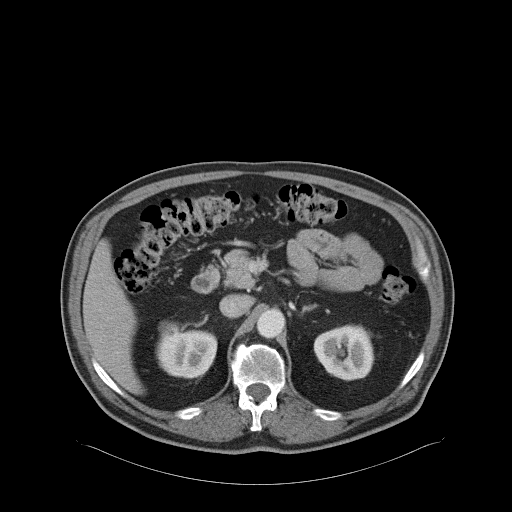
Axial slice 50 of 68 of a contrast-enhanced abdominal CT in the arterial phase (slice 1 is the lowest), 120 kVp, kernel B31f; 5.00 mm slice thickness and 0.961 mm pixels.
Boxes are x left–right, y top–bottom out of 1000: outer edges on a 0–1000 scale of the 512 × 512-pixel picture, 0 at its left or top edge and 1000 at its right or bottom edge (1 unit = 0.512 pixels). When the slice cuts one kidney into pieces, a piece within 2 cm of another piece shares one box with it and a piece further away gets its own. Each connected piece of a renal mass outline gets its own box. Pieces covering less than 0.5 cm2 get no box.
Two kidney boxes on this slice; by box centre, from the image's left to its right: (1) Right kidney, box x 305–426, y 627–740 out of 1000 (outlined area 2,788 px, about 25.7 cm2). (2) Left kidney, box x 611–732, y 633–744 out of 1000 (outlined area 2,710 px, about 25.0 cm2). No renal mass is outlined on this slice.